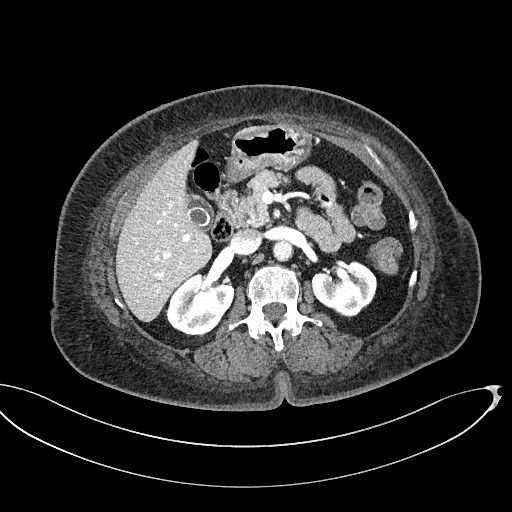
Abdominal CT with intravenous contrast, axial plane, 100 kVp, kernel I40f. Slice 311/439 from the bottom of the scan; thickness 2.00 mm; pixel size 0.850 mm.
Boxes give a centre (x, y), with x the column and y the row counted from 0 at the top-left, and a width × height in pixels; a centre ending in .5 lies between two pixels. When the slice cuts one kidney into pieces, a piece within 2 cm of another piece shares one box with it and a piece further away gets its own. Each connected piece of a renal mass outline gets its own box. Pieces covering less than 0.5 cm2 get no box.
Two boxes on this slice (two kidney boxes), listed by box centre from the image's left to its right. (1) Right kidney, box centre (199.5, 304.5), 68 × 64 pixels (outlined area 3,040 px, about 21.9 cm2). (2) Left kidney in a box with centre (344, 289), 67 × 57 pixels (outlined area 2,665 px, about 19.2 cm2). No renal mass outline on this slice.